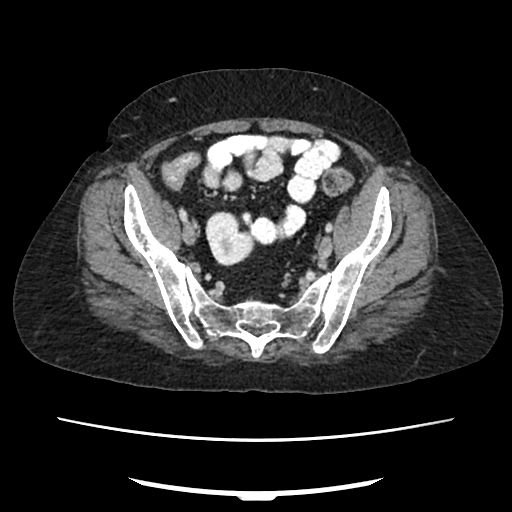
Arterial-phase contrast-enhanced abdominal CT, axial slice 62 of 207 (counted from the lowest slice); tube voltage 120 kVp, convolution kernel FC18; slices 2.00 mm thick, 0.741 mm per pixel.
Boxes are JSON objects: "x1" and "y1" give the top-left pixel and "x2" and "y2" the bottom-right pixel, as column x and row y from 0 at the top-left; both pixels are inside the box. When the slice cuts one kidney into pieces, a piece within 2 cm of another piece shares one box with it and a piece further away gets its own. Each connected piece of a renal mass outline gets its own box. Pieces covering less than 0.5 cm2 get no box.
Right kidney at {"x1": 205, "y1": 211, "x2": 254, "y2": 266} (outlined area 1,905 px, about 10.5 cm2). This slice carries no renal mass outline.